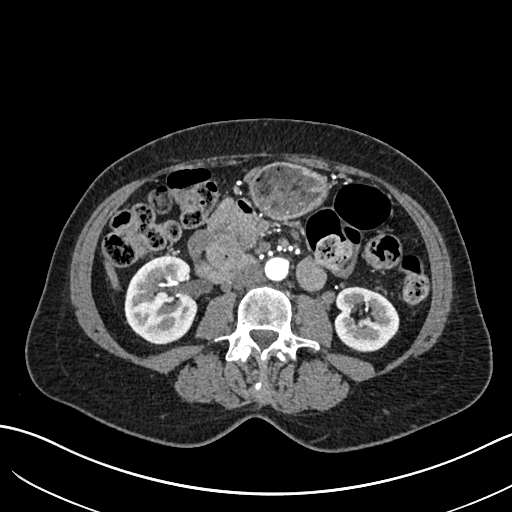
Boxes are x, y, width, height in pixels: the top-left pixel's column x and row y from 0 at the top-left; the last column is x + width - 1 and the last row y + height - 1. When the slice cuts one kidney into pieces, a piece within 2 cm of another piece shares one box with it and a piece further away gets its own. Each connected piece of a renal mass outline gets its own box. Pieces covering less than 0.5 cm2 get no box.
Arterial-phase contrast-enhanced abdominal CT, axial slice 323 of 683 (counted from the lowest slice); 1.00 mm thick, 0.738 mm per pixel. Two boxes on this slice (two kidney boxes), listed by box centre from the image's left to its right. (1) Box x 124, y 256, width 74, height 89: right kidney (outlined area 5,143 px, about 28.0 cm2). (2) Box x 334, y 286, width 66, height 67: left kidney (outlined area 3,290 px, about 17.9 cm2). No renal mass outline on this slice.
Acquired at 120 kVp and reconstructed with the I30f kernel.